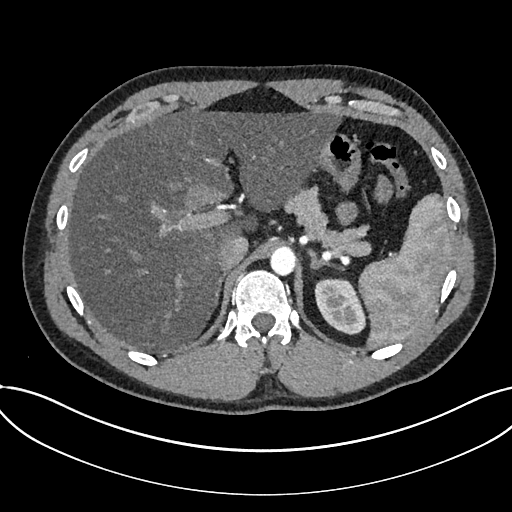
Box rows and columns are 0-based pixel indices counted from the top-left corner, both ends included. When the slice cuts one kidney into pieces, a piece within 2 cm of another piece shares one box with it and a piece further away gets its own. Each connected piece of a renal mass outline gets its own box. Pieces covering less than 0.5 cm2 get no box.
Slice 565/735 of a contrast-enhanced abdominal CT in the arterial phase, counting up from the lowest; pixel size 0.789 mm, slice thickness 1.00 mm. Kidney at rows 278–334, columns 314–364 (outlined area 2,144 px, about 13.3 cm2). This slice carries no renal mass outline.
Tube voltage 120 kVp; convolution kernel I30f.